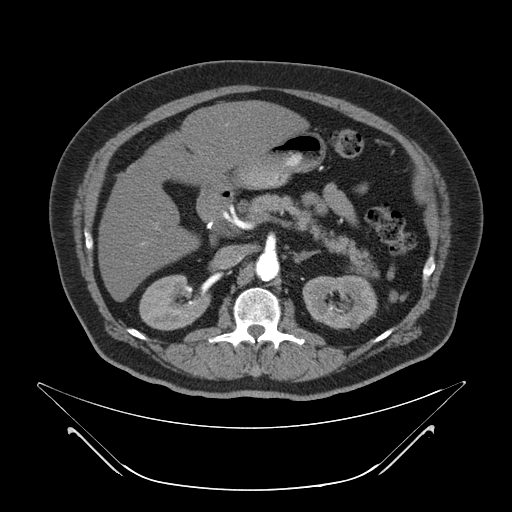
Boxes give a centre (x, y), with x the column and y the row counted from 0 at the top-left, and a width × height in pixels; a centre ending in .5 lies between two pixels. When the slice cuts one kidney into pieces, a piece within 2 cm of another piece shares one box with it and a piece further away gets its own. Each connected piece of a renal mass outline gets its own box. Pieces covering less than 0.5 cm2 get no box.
Contrast-enhanced abdominal CT, axial slice 33 of 64 (counted from the lowest slice); 4.00 mm thick, 0.977 mm per pixel. Boxed on this slice (two kidney boxes), listed by box centre from the image's left to its right: (1) Right kidney, box centre (175, 302), 73 × 57 pixels (outlined area 2,957 px, about 28.2 cm2). (2) Box centre (339.5, 301.5), 76 × 56 pixels: left kidney (outlined area 3,236 px, about 30.9 cm2). This slice carries no renal mass outline.
Tube voltage 120 kVp; convolution kernel B.